Axial slice 263 of 683 of a contrast-enhanced abdominal CT in the arterial phase (slice 1 is the lowest), 120 kVp, kernel I30f; 1.00 mm slice thickness and 0.738 mm pixels.
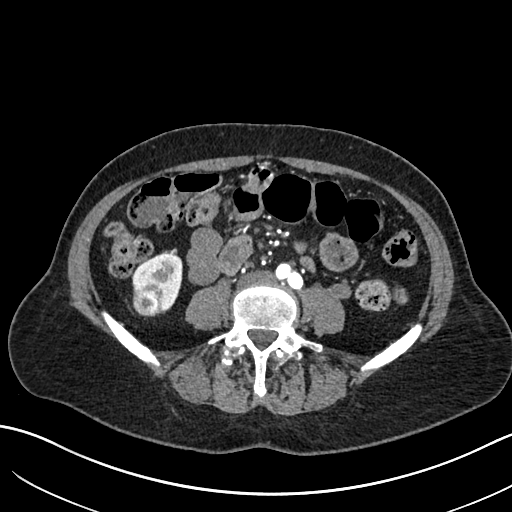
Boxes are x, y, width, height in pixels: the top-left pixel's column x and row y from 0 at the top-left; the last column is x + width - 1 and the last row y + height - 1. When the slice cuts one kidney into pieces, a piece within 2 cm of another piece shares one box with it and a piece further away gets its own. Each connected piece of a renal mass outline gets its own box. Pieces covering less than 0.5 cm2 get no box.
One kidney box and one renal mass box on this slice; by box centre, from the image's left to its right: (1) Box x 133, y 283, width 31, height 33: right renal mass (outlined area 865 px, about 4.7 cm2). (2) Box x 132, y 252, width 51, height 62: right kidney (outlined area 1,756 px, about 9.6 cm2).